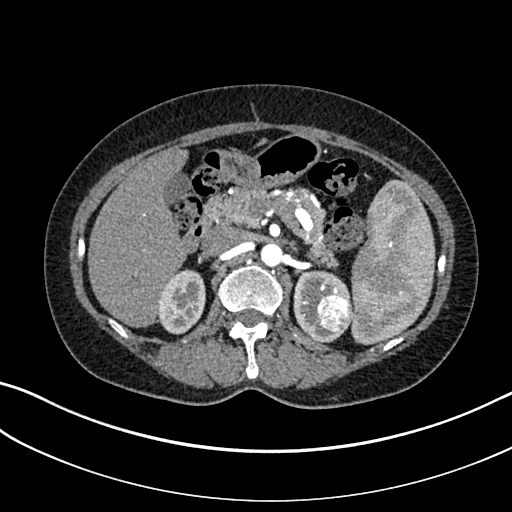
Axial slice 209 of 325 of a contrast-enhanced abdominal CT in the arterial phase (slice 1 is the lowest), 100 kVp, kernel I30f; 1.00 mm slice thickness and 0.703 mm pixels.
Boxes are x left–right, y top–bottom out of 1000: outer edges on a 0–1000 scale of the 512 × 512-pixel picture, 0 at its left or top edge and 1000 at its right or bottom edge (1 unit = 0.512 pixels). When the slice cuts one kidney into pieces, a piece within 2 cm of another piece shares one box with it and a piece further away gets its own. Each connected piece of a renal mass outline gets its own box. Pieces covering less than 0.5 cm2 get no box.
Two kidney boxes and one renal mass box on this slice; by box centre, from the image's left to its right: (1) Right kidney at x 309–402, y 525–654 out of 1000 (outlined area 2,414 px, about 11.9 cm2). (2) Left kidney, box x 572–686, y 527–672 out of 1000 (outlined area 2,302 px, about 11.4 cm2). (3) Left renal mass, box x 617–691, y 574–652 out of 1000 (outlined area 1,185 px, about 5.9 cm2).